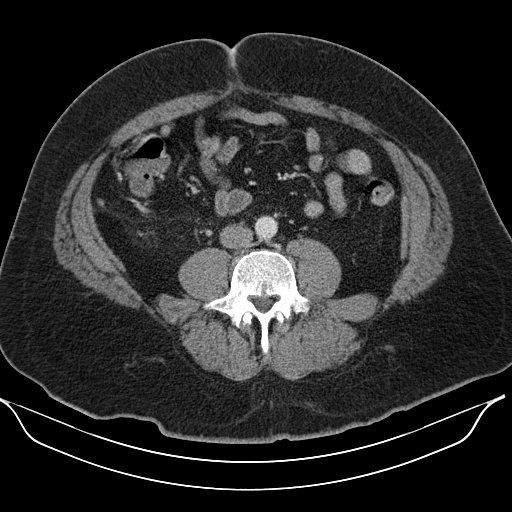
One axial slice (53 of 110, counting up from the lowest) of an arterial-phase abdominal CT acquired with 130 kVp, kernel B30s; each pixel is 0.836 mm and the slice is 5.00 mm thick.
Neither a kidney nor a renal mass is outlined here. Only kidneys and renal masses are outlined anywhere in this scan; other structures are never outlined.